Abdominal CT with intravenous contrast, axial plane, 120 kVp, kernel STANDARD. Slice 34/121 from the bottom of the scan; thickness 2.50 mm; pixel size 0.742 mm.
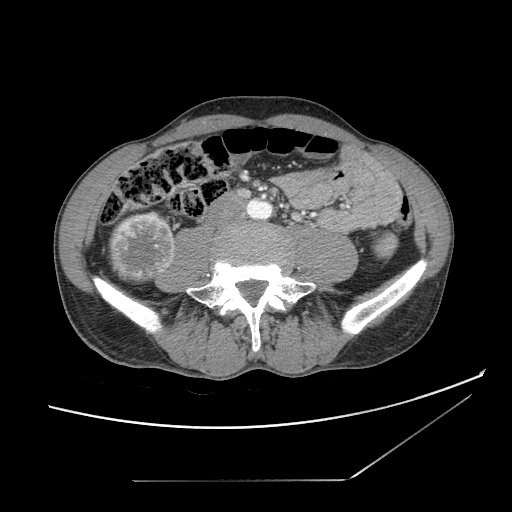
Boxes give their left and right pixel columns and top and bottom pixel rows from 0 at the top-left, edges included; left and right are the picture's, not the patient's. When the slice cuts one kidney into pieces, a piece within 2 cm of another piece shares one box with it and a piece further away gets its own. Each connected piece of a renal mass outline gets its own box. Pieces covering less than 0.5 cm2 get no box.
Right renal mass in the box with left 108, top 211, right 174, bottom 283 (outlined area 3,817 px, about 21.0 cm2); this slice has no kidney outline, though on another slice the same outlined renal mass lies within 1 cm of the kidney.